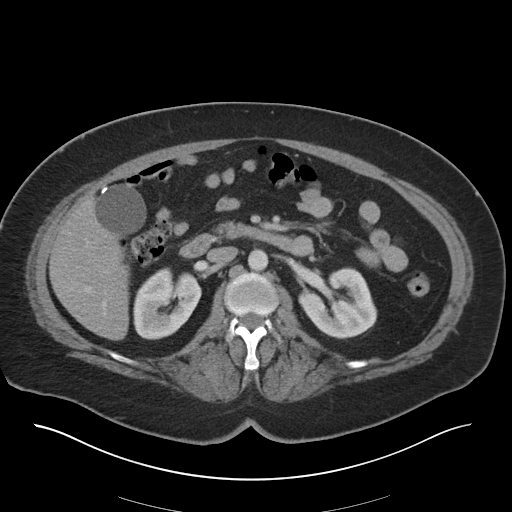
Axial slice 18 of 36 of a contrast-enhanced abdominal CT in the arterial phase (slice 1 is the lowest), 140 kVp, kernel I30f; 5.00 mm slice thickness and 0.906 mm pixels.
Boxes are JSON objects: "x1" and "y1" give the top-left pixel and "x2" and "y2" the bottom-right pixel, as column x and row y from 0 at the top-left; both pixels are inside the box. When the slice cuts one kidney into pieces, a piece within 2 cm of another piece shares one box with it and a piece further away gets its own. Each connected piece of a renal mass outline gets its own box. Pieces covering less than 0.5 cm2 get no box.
Boxed on this slice (two kidney boxes), listed by box centre from the image's left to its right: (1) Right kidney at {"x1": 133, "y1": 267, "x2": 201, "y2": 339} (outlined area 3,577 px, about 29.4 cm2). (2) Box {"x1": 298, "y1": 267, "x2": 377, "y2": 338}: left kidney (outlined area 3,979 px, about 32.7 cm2). This slice carries no renal mass outline.